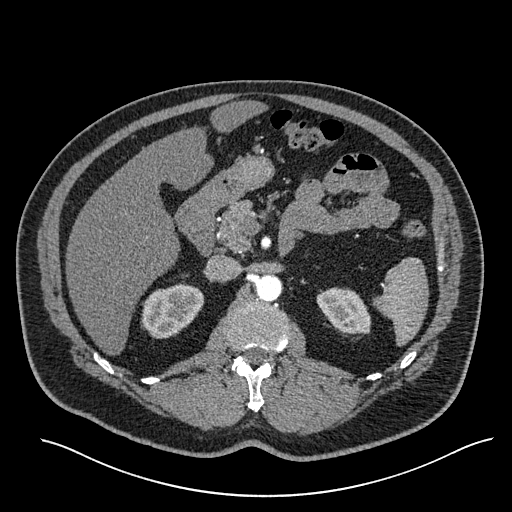
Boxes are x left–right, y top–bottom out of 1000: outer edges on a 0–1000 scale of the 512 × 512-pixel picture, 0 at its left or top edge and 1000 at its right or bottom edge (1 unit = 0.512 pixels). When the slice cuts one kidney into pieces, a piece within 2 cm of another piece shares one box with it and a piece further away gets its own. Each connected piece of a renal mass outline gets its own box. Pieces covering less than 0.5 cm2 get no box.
This is axial slice 378 of 527 (slice 1 is the lowest) of an arterial-phase abdominal CT with contrast; each pixel is 0.859 mm and the slice is 1.00 mm thick. Two boxes on this slice (two kidney boxes), listed by box centre from the image's left to its right. (1) Right kidney at x 275–400, y 551–662 out of 1000 (outlined area 2,565 px, about 18.9 cm2). (2) Box x 617–725, y 561–654 out of 1000: left kidney (outlined area 1,878 px, about 13.9 cm2). This slice carries no renal mass outline.
Acquired at 120 kVp and reconstructed with the I30f kernel.